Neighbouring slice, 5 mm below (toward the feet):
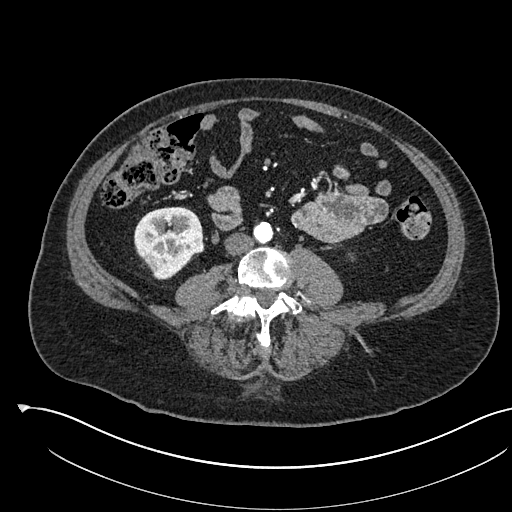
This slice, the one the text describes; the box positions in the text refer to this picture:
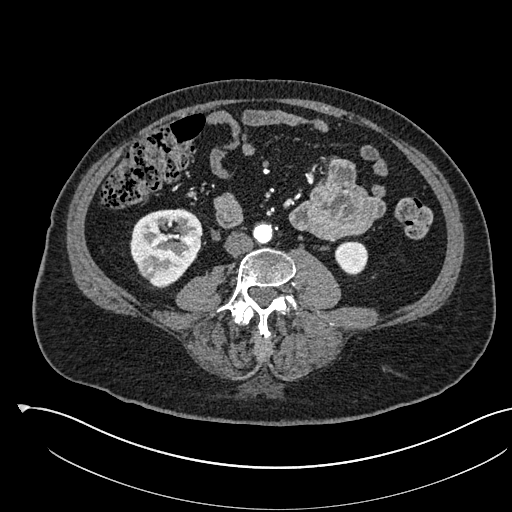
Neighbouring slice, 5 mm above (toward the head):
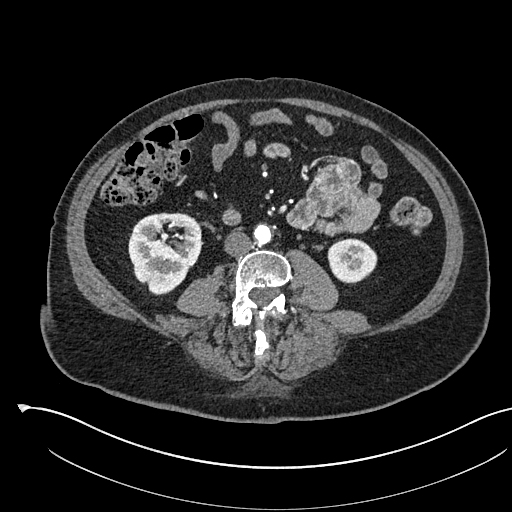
Arterial-phase contrast-enhanced abdominal CT, axial slice 226 of 541 (counted from the lowest slice); tube voltage 120 kVp, convolution kernel I30f; slices 1.00 mm thick, 0.834 mm per pixel.
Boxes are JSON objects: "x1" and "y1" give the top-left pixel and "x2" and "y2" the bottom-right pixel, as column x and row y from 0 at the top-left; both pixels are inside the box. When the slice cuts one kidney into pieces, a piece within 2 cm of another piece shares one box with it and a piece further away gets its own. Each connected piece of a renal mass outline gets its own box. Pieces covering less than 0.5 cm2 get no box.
Two kidney boxes and one renal mass box on this slice; by box centre, from the image's left to its right: (1) Right kidney at {"x1": 130, "y1": 208, "x2": 201, "y2": 288} (outlined area 4,281 px, about 29.8 cm2). (2) Box {"x1": 182, "y1": 234, "x2": 192, "y2": 243}: right renal mass (outlined area 83 px, about 0.6 cm2). (3) Box {"x1": 334, "y1": 241, "x2": 368, "y2": 273}: left kidney (outlined area 902 px, about 6.3 cm2). This slice lies near the end of the right renal mass toward the head; the slices 5 mm below and 5 mm above it are shown too, and the boxes mark positions on this slice only.